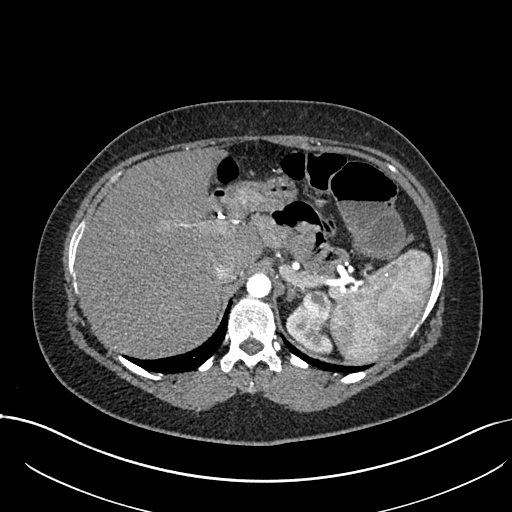
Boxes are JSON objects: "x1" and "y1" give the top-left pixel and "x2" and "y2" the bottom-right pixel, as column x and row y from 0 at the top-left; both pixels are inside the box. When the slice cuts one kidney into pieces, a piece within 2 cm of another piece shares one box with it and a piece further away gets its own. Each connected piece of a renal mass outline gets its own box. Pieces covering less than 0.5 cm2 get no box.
This is axial slice 563 of 738 (slice 1 is the lowest) of an arterial-phase abdominal CT with contrast; each pixel is 0.789 mm and the slice is 1.00 mm thick. Two boxes on this slice (one kidney box and one renal mass box), listed by box centre from the image's left to its right. (1) Box {"x1": 286, "y1": 310, "x2": 332, "y2": 353}: left kidney (outlined area 877 px, about 5.5 cm2). (2) Left renal mass at {"x1": 294, "y1": 289, "x2": 330, "y2": 332} (outlined area 1,177 px, about 7.3 cm2).
Tube voltage 120 kVp; convolution kernel I30f.